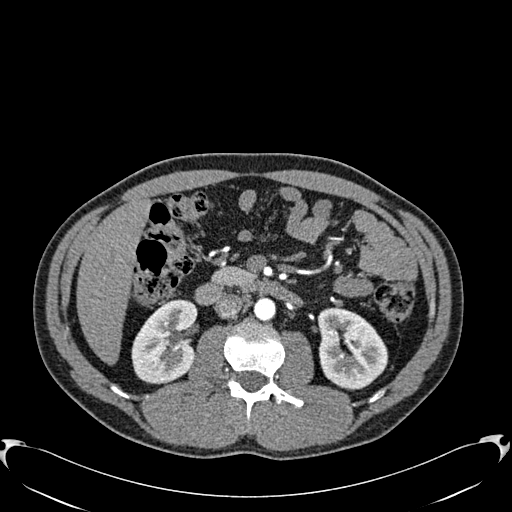
Axial slice 338 of 512 of a contrast-enhanced abdominal CT in the arterial phase (slice 1 is the lowest), 120 kVp, kernel B30f; 1.00 mm slice thickness and 0.771 mm pixels.
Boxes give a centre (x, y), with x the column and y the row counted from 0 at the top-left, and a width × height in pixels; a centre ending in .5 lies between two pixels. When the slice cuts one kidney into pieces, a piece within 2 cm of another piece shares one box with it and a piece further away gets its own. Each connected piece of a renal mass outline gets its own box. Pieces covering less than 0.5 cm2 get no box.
Boxed on this slice (two kidney boxes), listed by box centre from the image's left to its right: (1) Box centre (164.5, 342), 68 × 85 pixels: right kidney (outlined area 4,265 px, about 25.4 cm2). (2) Left kidney in a box with centre (352.5, 348.5), 72 × 84 pixels (outlined area 4,413 px, about 26.3 cm2). No renal mass is outlined on this slice.